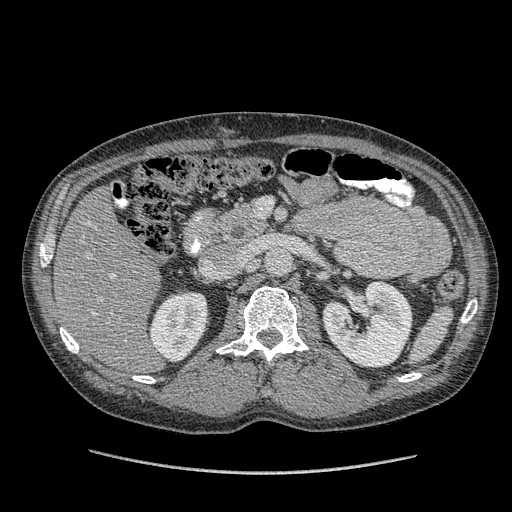
Axial slice 227 of 349 of a contrast-enhanced abdominal CT in the arterial phase (slice 1 is the lowest), 120 kVp, kernel STANDARD; 1.25 mm slice thickness and 0.742 mm pixels.
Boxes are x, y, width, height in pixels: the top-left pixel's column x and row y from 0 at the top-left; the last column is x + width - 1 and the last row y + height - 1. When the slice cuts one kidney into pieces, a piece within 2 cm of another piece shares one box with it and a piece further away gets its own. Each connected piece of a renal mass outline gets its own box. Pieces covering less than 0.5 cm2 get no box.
Two kidney boxes on this slice; by box centre, from the image's left to its right: (1) Right kidney at x 147, y 290, width 63, height 72 (outlined area 3,228 px, about 17.8 cm2). (2) Left kidney, box x 321, y 279, width 92, height 90 (outlined area 5,853 px, about 32.2 cm2). No renal mass outline on this slice.